Arterial-phase contrast-enhanced abdominal CT, axial slice 86 of 195 (counted from the lowest slice); tube voltage 100 kVp, convolution kernel I31f; slices 1.50 mm thick, 0.707 mm per pixel.
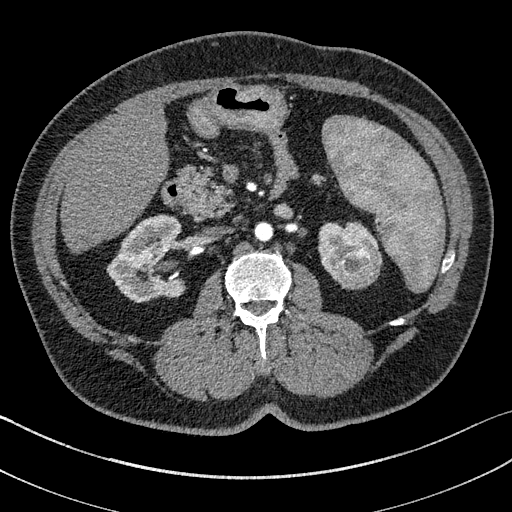
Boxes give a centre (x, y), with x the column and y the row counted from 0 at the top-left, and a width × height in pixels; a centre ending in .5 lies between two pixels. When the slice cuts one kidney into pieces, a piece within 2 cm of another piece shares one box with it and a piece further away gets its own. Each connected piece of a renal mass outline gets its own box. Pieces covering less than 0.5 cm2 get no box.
Boxed on this slice (two kidney boxes and one renal mass box), listed by box centre from the image's left to its right: (1) Box centre (145.5, 258), 78 × 89 pixels: right kidney (outlined area 4,614 px, about 23.1 cm2). (2) Box centre (349.5, 251), 64 × 59 pixels: left kidney (outlined area 1,965 px, about 9.8 cm2). (3) Left renal mass in a box with centre (358, 270), 45 × 39 pixels (outlined area 1,381 px, about 6.9 cm2).